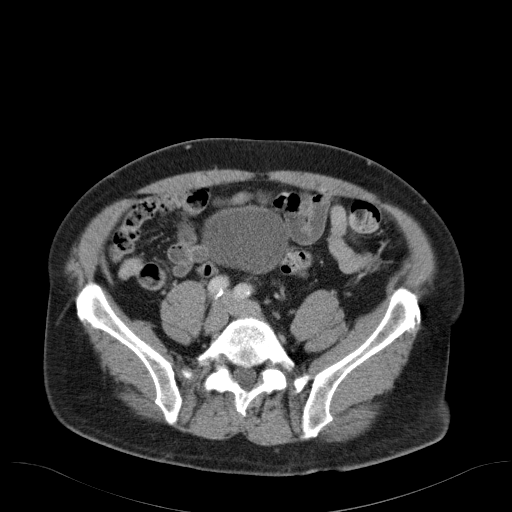
Arterial-phase contrast-enhanced abdominal CT, axial slice 45 of 98 (counted from the lowest slice); tube voltage 120 kVp, convolution kernel B31f; slices 5.00 mm thick, 0.764 mm per pixel.
This slice carries no outline: it lies beyond the outlined kidneys and beyond every outlined renal mass. Other organs are not outlined in this scan.